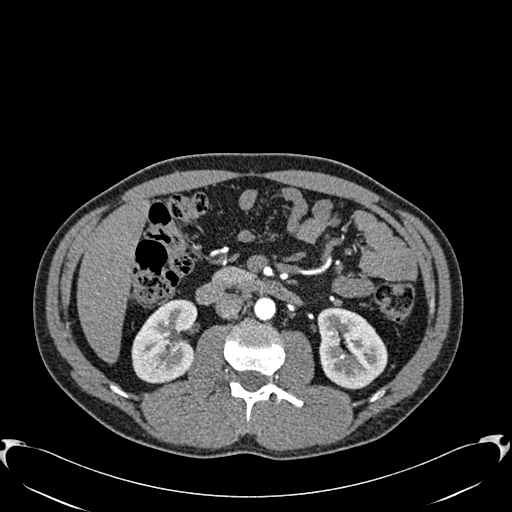
Axial slice 336 of 512 of a contrast-enhanced abdominal CT in the arterial phase (slice 1 is the lowest), 120 kVp, kernel B30f; 1.00 mm slice thickness and 0.771 mm pixels.
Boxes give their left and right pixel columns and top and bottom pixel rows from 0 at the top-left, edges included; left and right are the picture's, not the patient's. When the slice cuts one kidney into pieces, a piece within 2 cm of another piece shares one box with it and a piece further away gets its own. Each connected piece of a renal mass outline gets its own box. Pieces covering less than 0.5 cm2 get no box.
Boxed on this slice (two kidney boxes), listed by box centre from the image's left to its right: (1) Right kidney, the box with left 131, top 299, right 197, bottom 383 (outlined area 4,171 px, about 24.8 cm2). (2) Left kidney, the box with left 317, top 307, right 387, bottom 389 (outlined area 4,381 px, about 26.1 cm2). This slice carries no renal mass outline.